Arterial-phase contrast-enhanced abdominal CT, axial slice 450 of 665 (counted from the lowest slice); tube voltage 100 kVp, convolution kernel I26f; slices 1.00 mm thick, 0.828 mm per pixel.
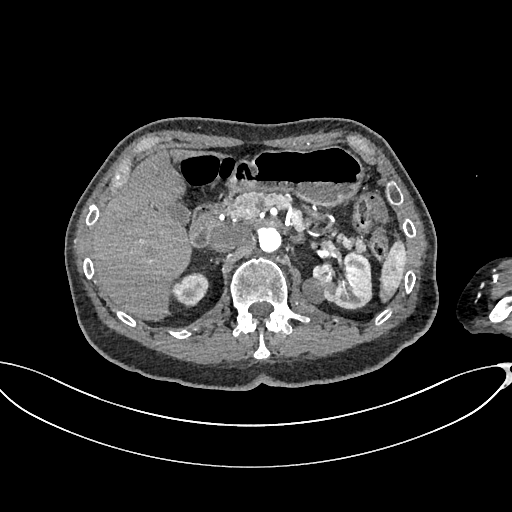
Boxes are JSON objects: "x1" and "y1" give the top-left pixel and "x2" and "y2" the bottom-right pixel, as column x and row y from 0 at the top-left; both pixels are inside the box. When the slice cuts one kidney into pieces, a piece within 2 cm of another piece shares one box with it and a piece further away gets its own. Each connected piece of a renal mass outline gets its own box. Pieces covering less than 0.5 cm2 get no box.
Boxed on this slice (two kidney boxes and one renal mass box), listed by box centre from the image's left to its right: (1) Box {"x1": 173, "y1": 272, "x2": 209, "y2": 307}: right kidney (outlined area 941 px, about 6.5 cm2). (2) Box {"x1": 302, "y1": 277, "x2": 323, "y2": 303}: left renal mass (outlined area 442 px, about 3.0 cm2). (3) Left kidney at {"x1": 312, "y1": 251, "x2": 371, "y2": 308} (outlined area 2,458 px, about 16.9 cm2).